Axial slice 370 of 602 of a contrast-enhanced abdominal CT in the arterial phase (slice 1 is the lowest), 120 kVp, kernel I30f; 1.00 mm slice thickness and 0.799 mm pixels.
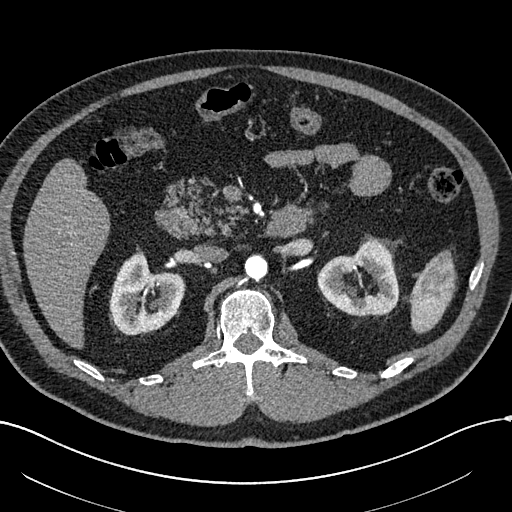
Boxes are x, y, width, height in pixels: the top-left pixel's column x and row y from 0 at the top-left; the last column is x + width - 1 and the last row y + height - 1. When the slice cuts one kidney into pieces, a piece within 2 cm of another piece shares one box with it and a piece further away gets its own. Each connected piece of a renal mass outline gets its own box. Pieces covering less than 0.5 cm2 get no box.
Boxed on this slice (two kidney boxes), listed by box centre from the image's left to its right: (1) Box x 109, y 250, width 76, height 85: right kidney (outlined area 4,381 px, about 28.0 cm2). (2) Left kidney at x 317, y 240, width 82, height 77 (outlined area 4,292 px, about 27.4 cm2). No renal mass outline on this slice.